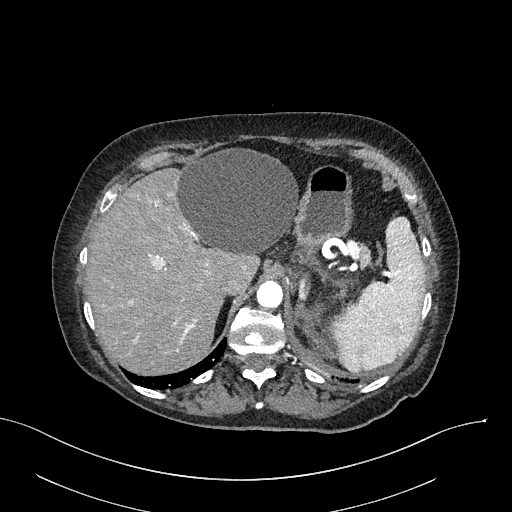
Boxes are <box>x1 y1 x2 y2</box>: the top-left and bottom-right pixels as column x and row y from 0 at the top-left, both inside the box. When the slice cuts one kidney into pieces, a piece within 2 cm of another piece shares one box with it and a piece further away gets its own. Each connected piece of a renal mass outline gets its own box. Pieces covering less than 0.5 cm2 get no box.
This is axial slice 217 of 316 (slice 1 is the lowest) of an arterial-phase abdominal CT with contrast; each pixel is 0.840 mm and the slice is 2.00 mm thick. Two renal mass boxes on this slice; by box centre, from the image's left to its right: (1) Left renal mass at <box>293 302 336 358</box> (outlined area 1,302 px, about 9.2 cm2); no kidney is outlined on this slice, but the same outlined renal mass comes within 1 cm of the kidney on another slice. (2) At <box>327 278 354 303</box>: left renal mass (outlined area 386 px, about 2.7 cm2); no kidney is outlined on this slice, but the same outlined renal mass comes within 1 cm of the kidney on another slice.
Scan settings: 100 kVp, I40f reconstruction kernel.